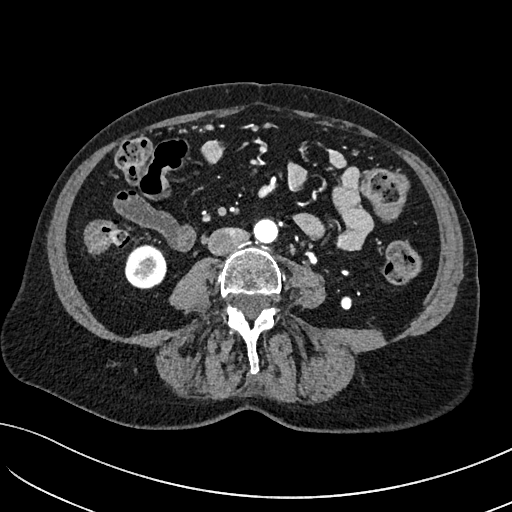
Axial slice 11 of 234 of a contrast-enhanced abdominal CT in the arterial phase (slice 1 is the lowest), 100 kVp, kernel I40f; 2.00 mm slice thickness and 0.699 mm pixels.
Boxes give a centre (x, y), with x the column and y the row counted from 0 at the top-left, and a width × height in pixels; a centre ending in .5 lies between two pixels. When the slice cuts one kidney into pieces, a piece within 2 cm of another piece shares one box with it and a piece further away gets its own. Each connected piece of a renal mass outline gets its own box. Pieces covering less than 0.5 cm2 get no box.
Right kidney, box centre (145, 266.5), 43 × 46 pixels (outlined area 1,519 px, about 7.4 cm2). No renal mass is outlined on this slice.